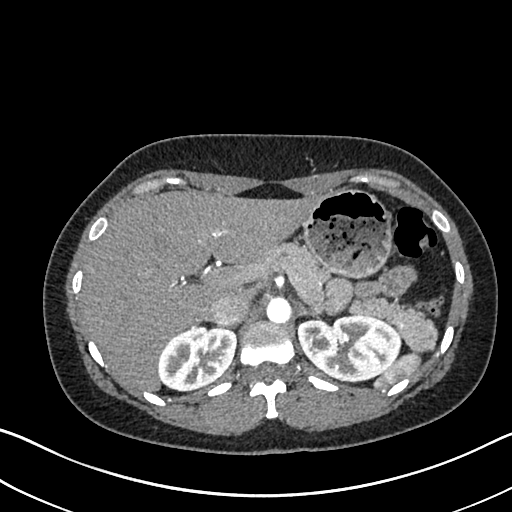
Arterial-phase contrast-enhanced abdominal CT, axial slice 500 of 612 (counted from the lowest slice); tube voltage 120 kVp, convolution kernel I30f; slices 1.00 mm thick, 0.703 mm per pixel.
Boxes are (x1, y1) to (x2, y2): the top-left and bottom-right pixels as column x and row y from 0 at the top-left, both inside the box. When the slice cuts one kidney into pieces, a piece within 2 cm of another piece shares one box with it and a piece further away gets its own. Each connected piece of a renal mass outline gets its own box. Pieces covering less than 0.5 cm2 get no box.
Boxed on this slice (two kidney boxes), listed by box centre from the image's left to its right: (1) Right kidney, box (158, 325) to (235, 391) (outlined area 3,914 px, about 19.4 cm2). (2) Box (296, 314) to (400, 382): left kidney (outlined area 5,466 px, about 27.0 cm2). No renal mass outline on this slice.